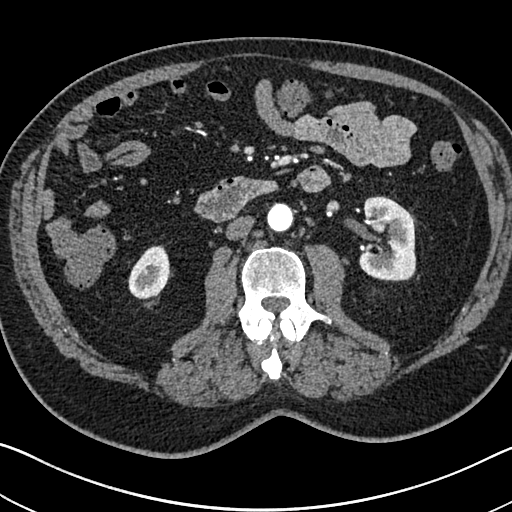
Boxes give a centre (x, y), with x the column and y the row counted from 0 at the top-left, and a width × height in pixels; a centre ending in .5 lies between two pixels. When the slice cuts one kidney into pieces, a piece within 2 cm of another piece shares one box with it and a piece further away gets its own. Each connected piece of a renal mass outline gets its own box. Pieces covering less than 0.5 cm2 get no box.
Arterial-phase contrast-enhanced abdominal CT, axial slice 371 of 705 (counted from the lowest slice); 1.00 mm thick, 0.703 mm per pixel. Boxed on this slice (two kidney boxes), listed by box centre from the image's left to its right: (1) Box centre (148.5, 272), 42 × 55 pixels: right kidney (outlined area 1,674 px, about 8.3 cm2). (2) Left kidney, box centre (387.5, 238.5), 58 × 86 pixels (outlined area 4,021 px, about 19.9 cm2). No renal mass is outlined on this slice.
Scan settings: 120 kVp, I30f reconstruction kernel.